Arterial-phase contrast-enhanced abdominal CT, axial slice 37 of 66 (counted from the lowest slice); tube voltage 120 kVp, convolution kernel B30f; slices 5.00 mm thick, 0.678 mm per pixel.
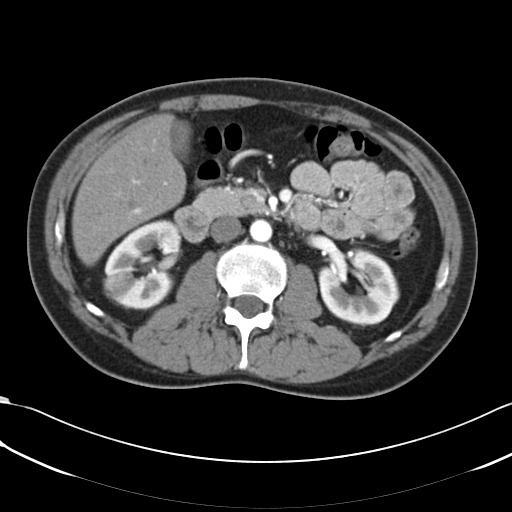
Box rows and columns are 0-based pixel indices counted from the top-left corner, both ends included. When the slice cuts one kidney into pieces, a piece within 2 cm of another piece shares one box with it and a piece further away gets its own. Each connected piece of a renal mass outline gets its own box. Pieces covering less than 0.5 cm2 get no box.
Two kidney boxes and one renal mass box on this slice; by box centre, from the image's left to its right: (1) Box rows 271–301, columns 103–134: right renal mass (outlined area 732 px, about 3.4 cm2). (2) Right kidney at rows 219–310, columns 104–181 (outlined area 4,438 px, about 20.4 cm2). (3) Left kidney, box rows 249–326, columns 318–399 (outlined area 4,526 px, about 20.8 cm2).